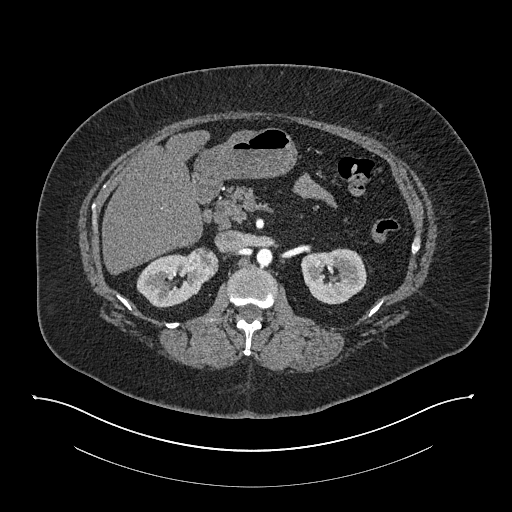
Axial slice 505 of 673 of a contrast-enhanced abdominal CT in the arterial phase (slice 1 is the lowest), 140 kVp, kernel I30f; 1.00 mm slice thickness and 0.957 mm pixels.
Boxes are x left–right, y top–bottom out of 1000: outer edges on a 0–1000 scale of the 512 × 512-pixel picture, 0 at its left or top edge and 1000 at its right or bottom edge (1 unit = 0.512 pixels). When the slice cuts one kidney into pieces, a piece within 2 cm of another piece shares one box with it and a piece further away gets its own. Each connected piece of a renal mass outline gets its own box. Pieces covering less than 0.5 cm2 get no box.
Two kidney boxes and one renal mass box on this slice; by box centre, from the image's left to its right: (1) Right kidney at x 266–398, y 496–604 out of 1000 (outlined area 2,388 px, about 21.9 cm2). (2) Box x 361–428, y 482–553 out of 1000: right renal mass (outlined area 908 px, about 8.3 cm2). (3) Box x 588–717, y 484–596 out of 1000: left kidney (outlined area 2,860 px, about 26.2 cm2).